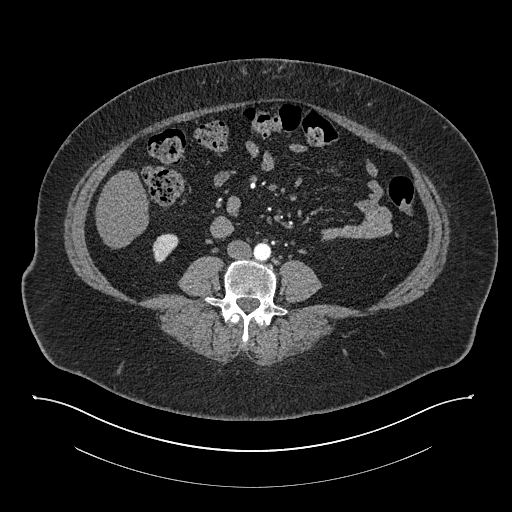
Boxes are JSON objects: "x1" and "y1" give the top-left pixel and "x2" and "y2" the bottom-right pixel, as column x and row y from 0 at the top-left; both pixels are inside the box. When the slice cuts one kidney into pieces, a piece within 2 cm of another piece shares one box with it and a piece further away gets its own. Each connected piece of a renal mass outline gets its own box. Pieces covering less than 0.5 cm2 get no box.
Slice 331/673 of a contrast-enhanced abdominal CT in the arterial phase, counting up from the lowest; pixel size 0.957 mm, slice thickness 1.00 mm. Box {"x1": 152, "y1": 233, "x2": 178, "y2": 262}: right kidney (outlined area 538 px, about 4.9 cm2). No renal mass outline on this slice.
Tube voltage 140 kVp; convolution kernel I30f.